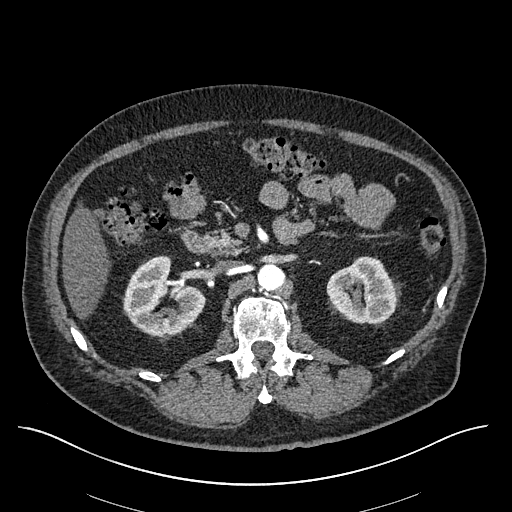
Abdominal CT with intravenous contrast, arterial phase, axial plane, 120 kVp, kernel I30f. Slice 358/670 from the bottom of the scan; thickness 1.00 mm; pixel size 0.861 mm.
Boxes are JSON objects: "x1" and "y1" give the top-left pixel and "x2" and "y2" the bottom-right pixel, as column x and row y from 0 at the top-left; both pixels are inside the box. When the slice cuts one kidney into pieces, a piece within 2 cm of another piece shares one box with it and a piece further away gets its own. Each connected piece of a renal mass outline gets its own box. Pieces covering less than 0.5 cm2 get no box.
Two boxes on this slice (two kidney boxes), listed by box centre from the image's left to its right. (1) Right kidney, box {"x1": 122, "y1": 255, "x2": 204, "y2": 335} (outlined area 4,462 px, about 33.1 cm2). (2) Left kidney at {"x1": 326, "y1": 256, "x2": 401, "y2": 323} (outlined area 3,683 px, about 27.3 cm2). No renal mass is outlined on this slice.